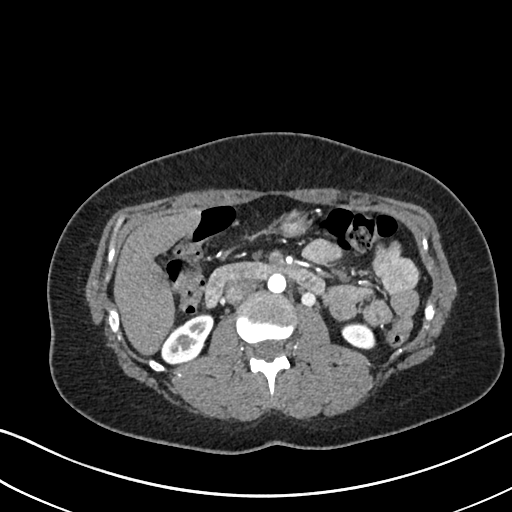
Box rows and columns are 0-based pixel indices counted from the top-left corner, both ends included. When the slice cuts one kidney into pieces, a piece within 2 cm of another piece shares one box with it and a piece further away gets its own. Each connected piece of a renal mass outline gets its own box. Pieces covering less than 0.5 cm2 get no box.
Arterial-phase contrast-enhanced abdominal CT, axial slice 379 of 612 (counted from the lowest slice); 1.00 mm thick, 0.703 mm per pixel. Two boxes on this slice (two kidney boxes), listed by box centre from the image's left to its right. (1) Box rows 313–363, columns 161–213: right kidney (outlined area 1,671 px, about 8.3 cm2). (2) Left kidney, box rows 322–348, columns 341–375 (outlined area 721 px, about 3.6 cm2). No renal mass outline on this slice.
Tube voltage 120 kVp; convolution kernel I30f.